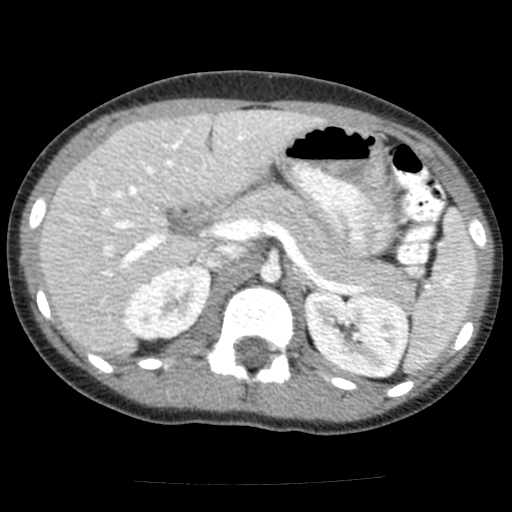
Abdominal CT with intravenous contrast, arterial phase, axial plane, 120 kVp, kernel FC12. Slice 91/117 from the bottom of the scan; thickness 3.00 mm; pixel size 0.518 mm.
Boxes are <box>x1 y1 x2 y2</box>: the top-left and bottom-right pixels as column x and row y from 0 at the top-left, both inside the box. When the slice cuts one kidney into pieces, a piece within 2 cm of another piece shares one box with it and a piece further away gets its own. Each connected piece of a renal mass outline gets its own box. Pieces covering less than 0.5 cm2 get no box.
Boxed on this slice (two kidney boxes), listed by box centre from the image's left to its right: (1) Right kidney: <box>123 263 211 340</box> (outlined area 4,962 px, about 13.3 cm2). (2) Left kidney: <box>304 290 409 378</box> (outlined area 7,187 px, about 19.3 cm2). No renal mass outline on this slice.